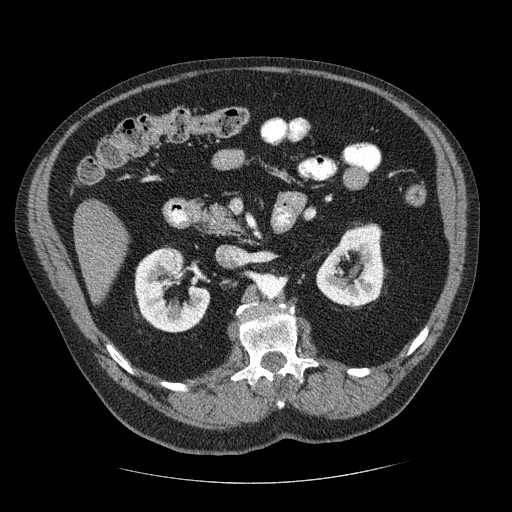
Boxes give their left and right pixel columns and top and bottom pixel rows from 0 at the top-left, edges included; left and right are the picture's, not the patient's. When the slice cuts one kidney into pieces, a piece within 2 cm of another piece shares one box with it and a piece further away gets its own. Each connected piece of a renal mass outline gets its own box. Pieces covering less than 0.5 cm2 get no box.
This is axial slice 137 of 206 (slice 1 is the lowest) of an abdominal CT with contrast; each pixel is 0.879 mm and the slice is 2.50 mm thick. Boxed on this slice (two kidney boxes and one renal mass box), listed by box centre from the image's left to its right: (1) Right renal mass in the box with left 156, top 247, right 185, bottom 274 (outlined area 645 px, about 5.0 cm2). (2) Right kidney, the box with left 134, top 247, right 210, bottom 333 (outlined area 3,859 px, about 29.8 cm2). (3) Left kidney in the box with left 316, top 223, right 385, bottom 306 (outlined area 4,150 px, about 32.1 cm2).
Tube voltage 120 kVp; convolution kernel STANDARD.